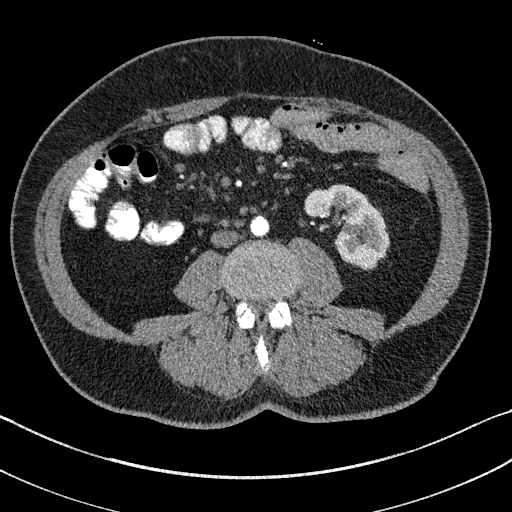
Axial slice 52 of 195 of a contrast-enhanced abdominal CT in the arterial phase (slice 1 is the lowest), 100 kVp, kernel I31f; 1.50 mm slice thickness and 0.707 mm pixels.
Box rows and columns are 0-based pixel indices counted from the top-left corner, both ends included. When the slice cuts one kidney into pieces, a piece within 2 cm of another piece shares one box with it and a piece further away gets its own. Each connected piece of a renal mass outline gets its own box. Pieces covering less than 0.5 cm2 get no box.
Box rows 184–269, columns 304–389: left kidney (outlined area 4,211 px, about 21.1 cm2). No renal mass is outlined on this slice.